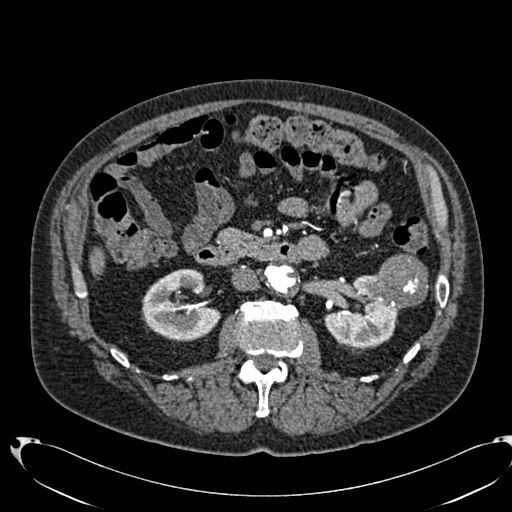
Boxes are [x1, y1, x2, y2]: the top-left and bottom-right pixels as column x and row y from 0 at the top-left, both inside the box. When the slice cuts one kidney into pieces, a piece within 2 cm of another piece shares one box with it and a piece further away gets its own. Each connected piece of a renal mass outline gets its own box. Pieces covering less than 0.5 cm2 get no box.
Arterial-phase contrast-enhanced abdominal CT, axial slice 406 of 553 (counted from the lowest slice); 1.00 mm thick, 0.773 mm per pixel. Boxed on this slice (two kidney boxes and one renal mass box), listed by box centre from the image's left to its right: (1) Right kidney at [142, 269, 220, 341] (outlined area 3,971 px, about 23.8 cm2). (2) Left kidney, box [323, 275, 400, 348] (outlined area 3,397 px, about 20.3 cm2). (3) Left renal mass at [369, 253, 428, 308] (outlined area 2,459 px, about 14.7 cm2).
Acquired at 120 kVp and reconstructed with the B20f kernel.